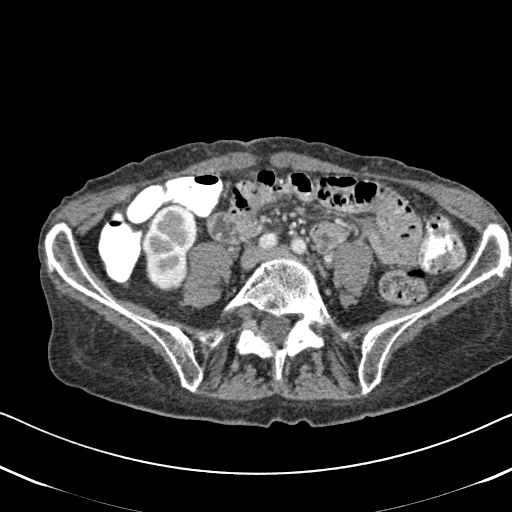
Axial slice 222 of 620 of a contrast-enhanced abdominal CT in the arterial phase (slice 1 is the lowest), 120 kVp, kernel B31f; 2.00 mm slice thickness and 0.637 mm pixels.
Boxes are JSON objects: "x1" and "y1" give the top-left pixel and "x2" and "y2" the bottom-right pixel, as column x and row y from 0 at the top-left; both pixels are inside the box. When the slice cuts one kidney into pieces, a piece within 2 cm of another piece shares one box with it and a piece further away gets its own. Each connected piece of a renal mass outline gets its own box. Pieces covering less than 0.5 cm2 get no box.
Right kidney, box {"x1": 142, "y1": 204, "x2": 198, "y2": 291} (outlined area 3,751 px, about 15.2 cm2). This slice carries no renal mass outline.